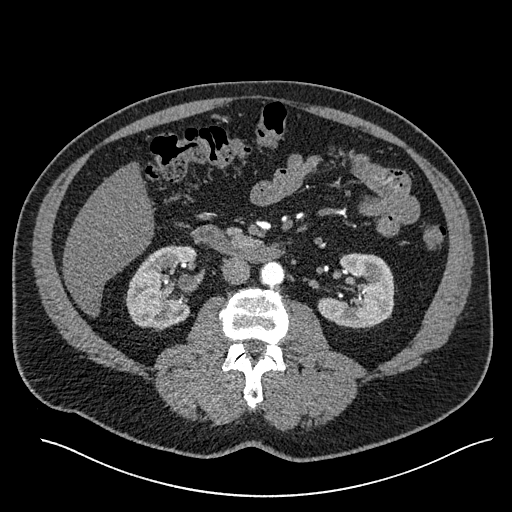
Arterial-phase contrast-enhanced abdominal CT, axial slice 294 of 527 (counted from the lowest slice); tube voltage 120 kVp, convolution kernel I30f; slices 1.00 mm thick, 0.859 mm per pixel.
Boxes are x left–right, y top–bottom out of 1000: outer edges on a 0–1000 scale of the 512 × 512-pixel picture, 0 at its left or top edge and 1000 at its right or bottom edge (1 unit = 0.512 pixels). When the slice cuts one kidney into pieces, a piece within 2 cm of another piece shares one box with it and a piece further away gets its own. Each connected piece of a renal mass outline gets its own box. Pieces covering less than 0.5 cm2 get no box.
Two kidney boxes on this slice; by box centre, from the image's left to its right: (1) Right kidney at x 244–383, y 479–648 out of 1000 (outlined area 4,443 px, about 32.8 cm2). (2) Box x 619–771, y 494–643 out of 1000: left kidney (outlined area 4,102 px, about 30.3 cm2). No renal mass is outlined on this slice.